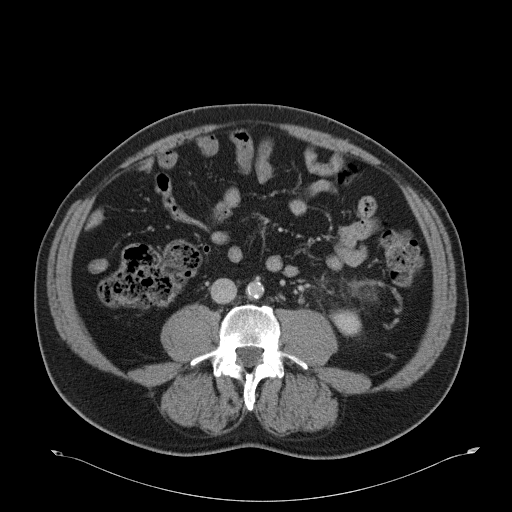
Contrast-enhanced abdominal CT, axial slice 8 of 51 (counted from the lowest slice); tube voltage 120 kVp, convolution kernel B31f; slices 5.00 mm thick, 0.865 mm per pixel.
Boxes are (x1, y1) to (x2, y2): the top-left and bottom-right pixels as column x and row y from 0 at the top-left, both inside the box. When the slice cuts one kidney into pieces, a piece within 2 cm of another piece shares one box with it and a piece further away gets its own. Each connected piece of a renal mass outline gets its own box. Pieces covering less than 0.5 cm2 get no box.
Left kidney from (330, 309) to (361, 336) (outlined area 651 px, about 4.9 cm2).